Abdominal CT with intravenous contrast, arterial phase, axial plane, 120 kVp, kernel STANDARD. Slice 268/389 from the bottom of the scan; thickness 1.25 mm; pixel size 0.869 mm.
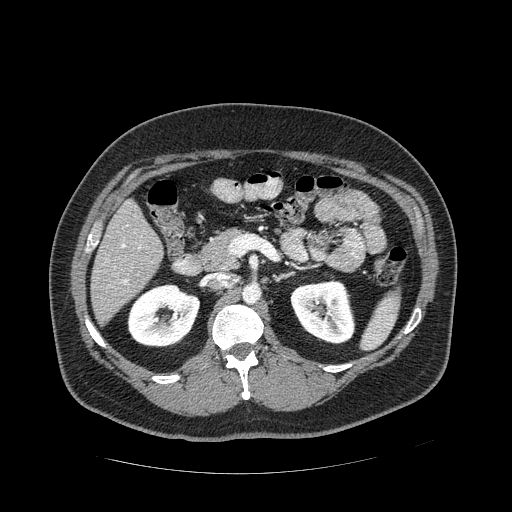
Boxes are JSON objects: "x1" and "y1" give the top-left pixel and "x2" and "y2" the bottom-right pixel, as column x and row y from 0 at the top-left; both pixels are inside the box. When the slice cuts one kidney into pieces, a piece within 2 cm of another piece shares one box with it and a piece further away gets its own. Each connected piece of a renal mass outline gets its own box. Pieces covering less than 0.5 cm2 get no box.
Boxed on this slice (two kidney boxes), listed by box centre from the image's left to its right: (1) Right kidney, box {"x1": 127, "y1": 283, "x2": 200, "y2": 347} (outlined area 3,536 px, about 26.7 cm2). (2) Left kidney, box {"x1": 290, "y1": 278, "x2": 355, "y2": 344} (outlined area 3,200 px, about 24.2 cm2). No renal mass outline on this slice.